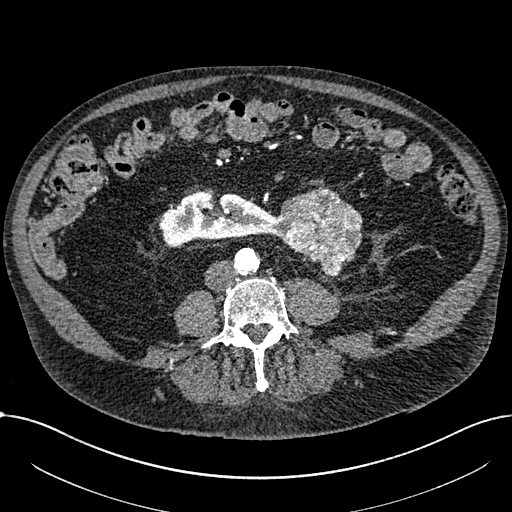
Abdominal CT with intravenous contrast, arterial phase, axial plane, 100 kVp, kernel I30f. Slice 260/1059 from the bottom of the scan; thickness 1.00 mm; pixel size 0.811 mm.
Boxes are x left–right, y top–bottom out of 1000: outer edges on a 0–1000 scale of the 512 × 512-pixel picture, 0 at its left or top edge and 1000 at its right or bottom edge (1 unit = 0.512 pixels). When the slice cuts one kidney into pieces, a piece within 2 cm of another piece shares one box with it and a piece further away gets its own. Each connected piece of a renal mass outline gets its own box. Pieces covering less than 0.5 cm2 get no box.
One kidney box and one renal mass box on this slice; by box centre, from the image's left to its right: (1) Box x 311–539, y 373–484 out of 1000: right part of the midline-crossing kidney (outlined area 4,481 px, about 29.4 cm2). (2) Renal mass, box x 535–709, y 365–543 out of 1000 (outlined area 5,315 px, about 34.9 cm2).